Arterial-phase contrast-enhanced abdominal CT, axial slice 341 of 683 (counted from the lowest slice); tube voltage 120 kVp, convolution kernel I30f; slices 1.00 mm thick, 0.738 mm per pixel.
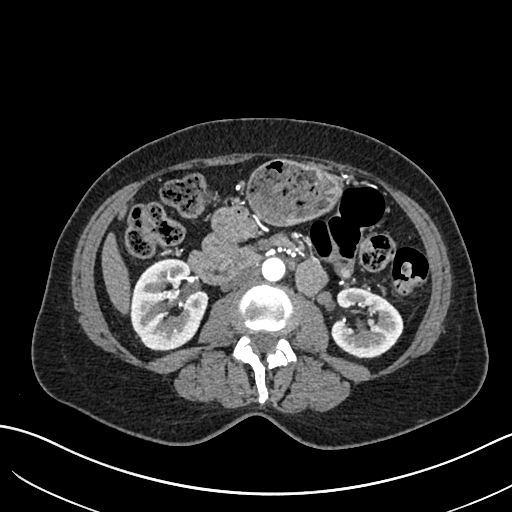
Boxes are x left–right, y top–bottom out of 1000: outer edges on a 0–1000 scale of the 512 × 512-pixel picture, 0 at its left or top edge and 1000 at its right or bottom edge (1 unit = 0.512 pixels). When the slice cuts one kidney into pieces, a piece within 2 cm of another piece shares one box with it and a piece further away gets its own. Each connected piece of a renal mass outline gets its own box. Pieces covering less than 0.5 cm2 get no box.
Two kidney boxes on this slice; by box centre, from the image's left to its right: (1) Box x 254–408, y 504–686 out of 1000: right kidney (outlined area 5,473 px, about 29.8 cm2). (2) Left kidney, box x 646–789, y 563–701 out of 1000 (outlined area 3,685 px, about 20.1 cm2). No renal mass outline on this slice.